One axial slice (370 of 734, counting up from the lowest) of a contrast-enhanced abdominal CT acquired with 120 kVp, kernel B31f; each pixel is 0.971 mm and the slice is 2.00 mm thick.
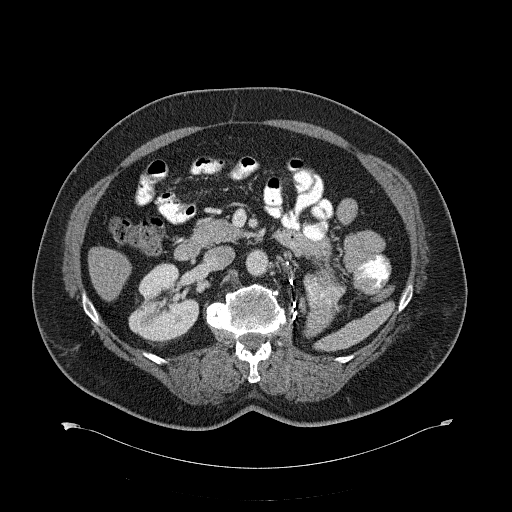
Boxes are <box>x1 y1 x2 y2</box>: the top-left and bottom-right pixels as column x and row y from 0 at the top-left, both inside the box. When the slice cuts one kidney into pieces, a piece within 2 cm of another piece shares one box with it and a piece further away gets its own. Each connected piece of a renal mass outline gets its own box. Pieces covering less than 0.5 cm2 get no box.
At <box>128 263 199 338</box>: right kidney (outlined area 3,822 px, about 36.0 cm2). No renal mass outline on this slice.